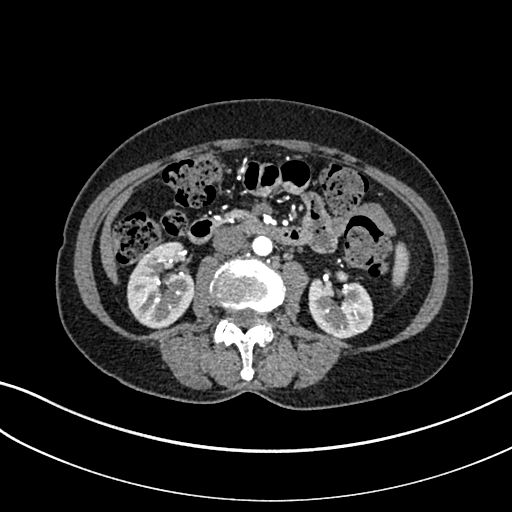
Abdominal CT with intravenous contrast, arterial phase, axial plane, 100 kVp, kernel I30f. Slice 131/325 from the bottom of the scan; thickness 1.00 mm; pixel size 0.703 mm.
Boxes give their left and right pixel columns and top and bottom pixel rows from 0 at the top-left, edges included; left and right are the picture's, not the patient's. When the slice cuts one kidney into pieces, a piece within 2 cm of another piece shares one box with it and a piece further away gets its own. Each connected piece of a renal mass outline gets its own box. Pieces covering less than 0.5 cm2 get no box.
Boxed on this slice (two kidney boxes), listed by box centre from the image's left to its right: (1) Right kidney, the box with left 127, top 241, right 195, bottom 328 (outlined area 4,427 px, about 21.9 cm2). (2) Left kidney in the box with left 308, top 270, right 373, bottom 338 (outlined area 3,183 px, about 15.7 cm2). No renal mass outline on this slice.